Axial slice 67 of 279 of a contrast-enhanced abdominal CT in the arterial phase (slice 1 is the lowest), 120 kVp, kernel B31f; 2.00 mm slice thickness and 0.824 mm pixels.
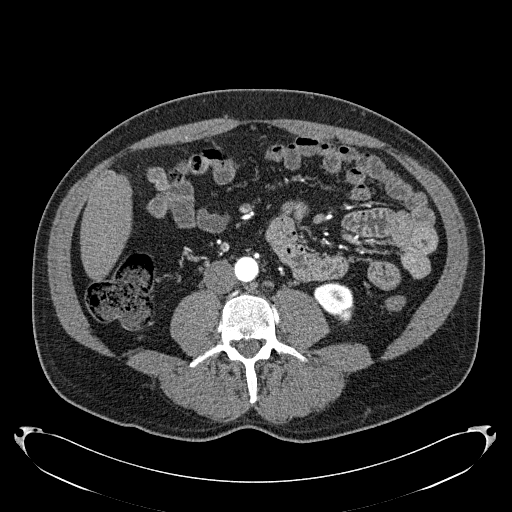
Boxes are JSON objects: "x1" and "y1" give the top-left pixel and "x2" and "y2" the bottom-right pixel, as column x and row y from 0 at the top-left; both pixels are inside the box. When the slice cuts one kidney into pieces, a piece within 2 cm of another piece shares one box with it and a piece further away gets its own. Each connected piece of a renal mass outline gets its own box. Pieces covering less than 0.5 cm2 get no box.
Box {"x1": 313, "y1": 281, "x2": 354, "y2": 323}: left kidney (outlined area 1,197 px, about 8.1 cm2). No renal mass is outlined on this slice.